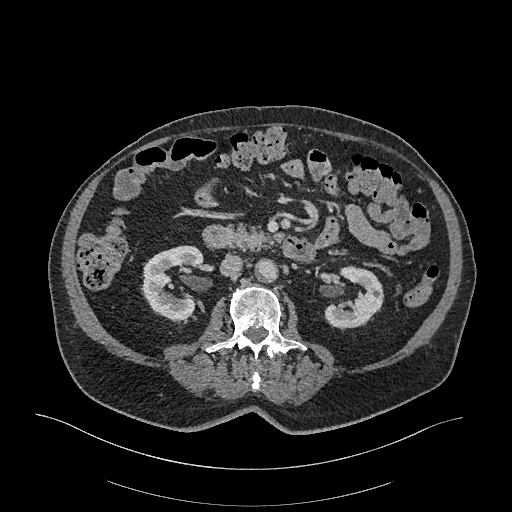
Arterial-phase contrast-enhanced abdominal CT, axial slice 145 of 470 (counted from the lowest slice); tube voltage 120 kVp, convolution kernel I26f; slices 1.00 mm thick, 0.938 mm per pixel.
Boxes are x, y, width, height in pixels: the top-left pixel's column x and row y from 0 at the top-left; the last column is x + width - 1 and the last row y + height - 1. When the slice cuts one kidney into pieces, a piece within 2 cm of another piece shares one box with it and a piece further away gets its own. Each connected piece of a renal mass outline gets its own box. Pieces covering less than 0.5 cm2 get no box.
Two boxes on this slice (two kidney boxes), listed by box centre from the image's left to its right. (1) Right kidney at x 140, y 245, width 64, height 76 (outlined area 3,272 px, about 28.8 cm2). (2) Left kidney at x 324, y 265, width 61, height 65 (outlined area 2,463 px, about 21.6 cm2). No renal mass outline on this slice.